Contrast-enhanced abdominal CT, axial slice 66 of 103 (counted from the lowest slice); tube voltage 100 kVp, convolution kernel I41f; slices 4.00 mm thick, 0.742 mm per pixel.
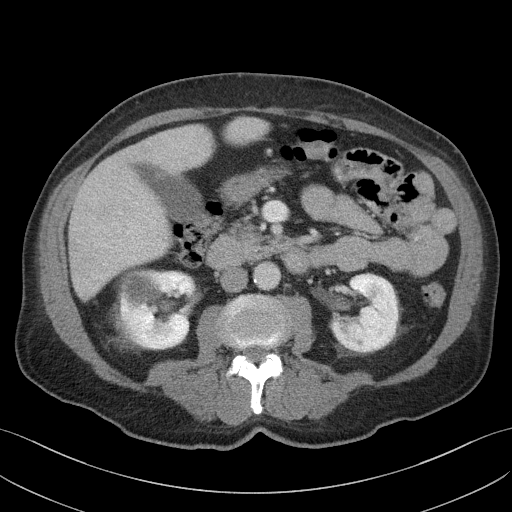
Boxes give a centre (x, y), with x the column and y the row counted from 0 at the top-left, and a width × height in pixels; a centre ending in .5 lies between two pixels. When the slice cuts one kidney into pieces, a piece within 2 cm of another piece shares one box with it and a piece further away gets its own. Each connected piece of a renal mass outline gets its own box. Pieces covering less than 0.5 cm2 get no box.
Two kidney boxes on this slice; by box centre, from the image's left to its right: (1) Right kidney in a box with centre (156, 309), 79 × 81 pixels (outlined area 5,366 px, about 29.6 cm2). (2) Box centre (363.5, 313), 70 × 79 pixels: left kidney (outlined area 4,172 px, about 23.0 cm2). No renal mass is outlined on this slice.